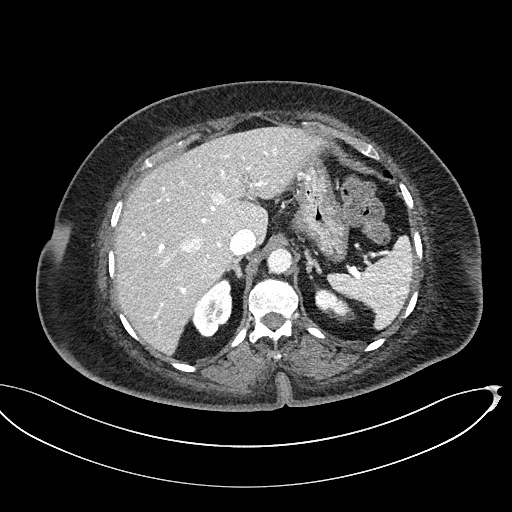
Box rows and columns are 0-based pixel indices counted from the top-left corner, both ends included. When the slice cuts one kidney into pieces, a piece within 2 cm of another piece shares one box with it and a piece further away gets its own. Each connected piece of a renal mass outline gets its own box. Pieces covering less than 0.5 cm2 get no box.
Slice 361/439 of a contrast-enhanced abdominal CT, counting up from the lowest; pixel size 0.850 mm, slice thickness 2.00 mm. Two kidney boxes on this slice; by box centre, from the image's left to its right: (1) Right kidney at rows 278–337, columns 191–232 (outlined area 1,665 px, about 12.0 cm2). (2) Left kidney, box rows 286–322, columns 315–355 (outlined area 848 px, about 6.1 cm2). No renal mass is outlined on this slice.
Acquired at 100 kVp and reconstructed with the I40f kernel.